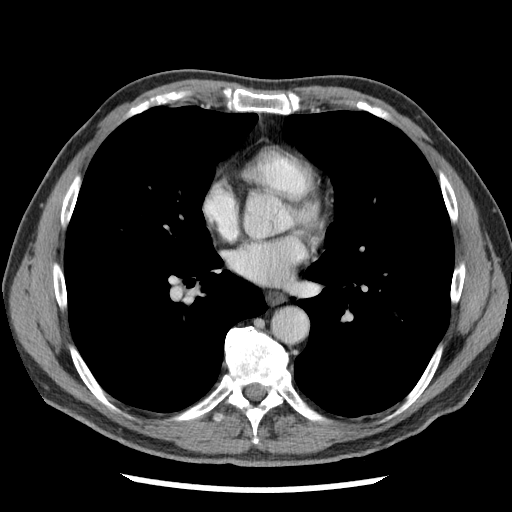
Arterial-phase contrast-enhanced abdominal CT, axial slice 190 of 262 (counted from the lowest slice); tube voltage 120 kVp, convolution kernel STANDARD; slices 2.50 mm thick, 0.703 mm per pixel.
This slice carries no outline: it lies beyond the outlined kidneys and beyond every outlined renal mass. Other organs are not outlined in this scan.